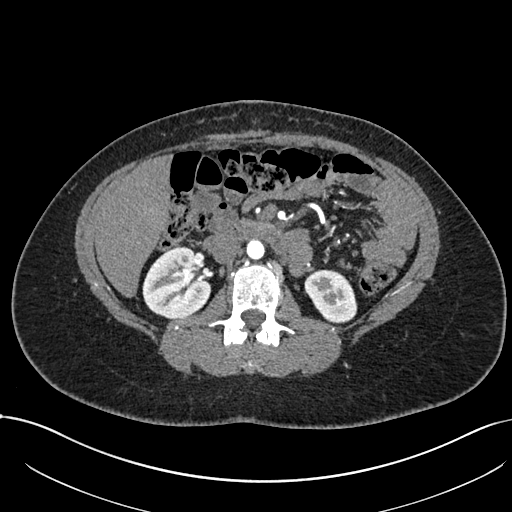
One axial slice (410 of 738, counting up from the lowest) of an arterial-phase abdominal CT acquired with 120 kVp, kernel I30f; each pixel is 0.789 mm and the slice is 1.00 mm thick.
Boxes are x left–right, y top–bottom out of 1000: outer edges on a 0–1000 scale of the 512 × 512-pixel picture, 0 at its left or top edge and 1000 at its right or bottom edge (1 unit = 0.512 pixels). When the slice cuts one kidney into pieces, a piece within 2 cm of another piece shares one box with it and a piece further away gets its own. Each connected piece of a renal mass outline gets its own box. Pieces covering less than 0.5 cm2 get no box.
Two kidney boxes on this slice; by box centre, from the image's left to its right: (1) Box x 277–414, y 480–625 out of 1000: right kidney (outlined area 3,732 px, about 23.2 cm2). (2) Left kidney at x 594–699, y 525–633 out of 1000 (outlined area 2,134 px, about 13.3 cm2). This slice carries no renal mass outline.